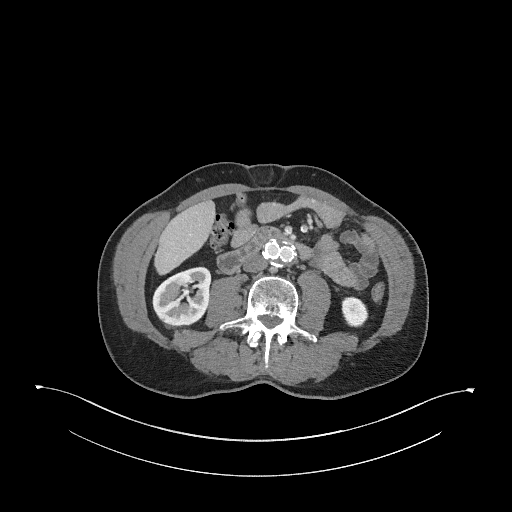
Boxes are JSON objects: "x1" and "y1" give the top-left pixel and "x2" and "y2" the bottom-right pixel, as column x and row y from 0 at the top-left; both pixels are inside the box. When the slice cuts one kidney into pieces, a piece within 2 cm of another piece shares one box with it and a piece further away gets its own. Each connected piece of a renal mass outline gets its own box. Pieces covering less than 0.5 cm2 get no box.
Arterial-phase contrast-enhanced abdominal CT, axial slice 135 of 345 (counted from the lowest slice); 2.00 mm thick, 0.977 mm per pixel. Boxed on this slice (two kidney boxes), listed by box centre from the image's left to its right: (1) Box {"x1": 152, "y1": 266, "x2": 211, "y2": 327}: right kidney (outlined area 2,760 px, about 26.3 cm2). (2) Left kidney, box {"x1": 341, "y1": 296, "x2": 368, "y2": 327} (outlined area 683 px, about 6.5 cm2). This slice carries no renal mass outline.
Acquired at 120 kVp and reconstructed with the I31f kernel.